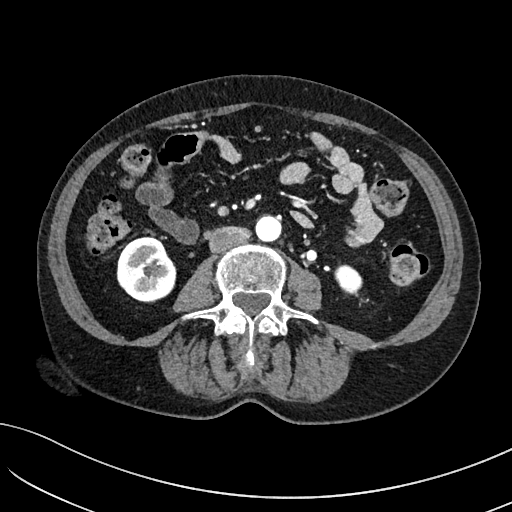
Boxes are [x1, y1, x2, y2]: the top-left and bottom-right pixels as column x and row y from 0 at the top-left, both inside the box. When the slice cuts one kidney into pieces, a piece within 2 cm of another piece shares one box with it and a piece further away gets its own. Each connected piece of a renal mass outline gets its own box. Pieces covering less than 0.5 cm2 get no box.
Arterial-phase contrast-enhanced abdominal CT, axial slice 24 of 234 (counted from the lowest slice); 2.00 mm thick, 0.699 mm per pixel. Two boxes on this slice (two kidney boxes), listed by box centre from the image's left to its right. (1) Box [116, 234, 176, 302]: right kidney (outlined area 3,091 px, about 15.1 cm2). (2) Left kidney, box [334, 264, 362, 293] (outlined area 626 px, about 3.1 cm2). This slice carries no renal mass outline.
Scan settings: 100 kVp, I40f reconstruction kernel.